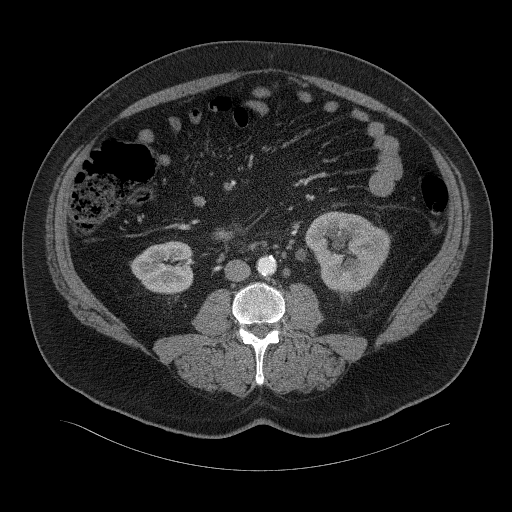
One axial slice (14 of 94, counting up from the lowest) of a contrast-enhanced abdominal CT acquired with 120 kVp, kernel B41f; each pixel is 0.977 mm and the slice is 3.00 mm thick.
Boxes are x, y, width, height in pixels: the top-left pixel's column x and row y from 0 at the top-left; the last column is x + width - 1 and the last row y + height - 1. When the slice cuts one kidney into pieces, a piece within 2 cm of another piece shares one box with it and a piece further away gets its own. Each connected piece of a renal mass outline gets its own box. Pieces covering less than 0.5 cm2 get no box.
Boxed on this slice (two kidney boxes), listed by box centre from the image's left to its right: (1) Box x 131, y 241, width 64, height 54: right kidney (outlined area 2,644 px, about 25.2 cm2). (2) Left kidney, box x 305, y 211, width 86, height 86 (outlined area 5,060 px, about 48.3 cm2). No renal mass is outlined on this slice.